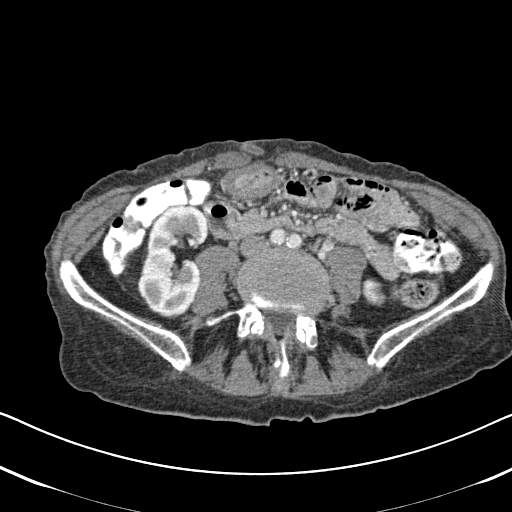
One axial slice (237 of 620, counting up from the lowest) of an arterial-phase abdominal CT acquired with 120 kVp, kernel B31f; each pixel is 0.637 mm and the slice is 2.00 mm thick.
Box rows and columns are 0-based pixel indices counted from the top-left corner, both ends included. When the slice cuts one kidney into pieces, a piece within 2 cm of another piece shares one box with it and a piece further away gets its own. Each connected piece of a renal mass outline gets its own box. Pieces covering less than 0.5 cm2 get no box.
Two kidney boxes on this slice; by box centre, from the image's left to its right: (1) Box rows 205–317, columns 137–208: right kidney (outlined area 5,794 px, about 23.5 cm2). (2) Left kidney, box rows 278–306, columns 362–385 (outlined area 501 px, about 2.0 cm2). No renal mass outline on this slice.